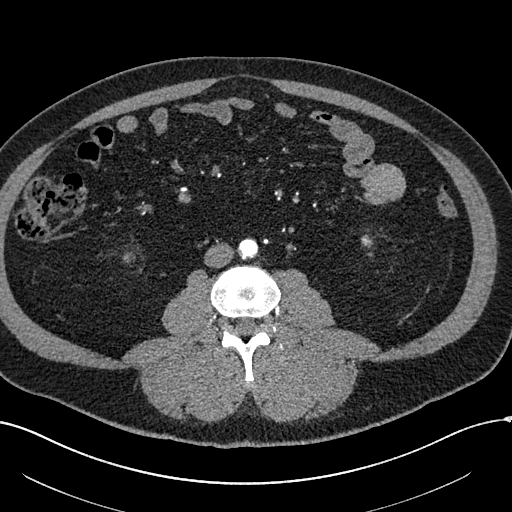
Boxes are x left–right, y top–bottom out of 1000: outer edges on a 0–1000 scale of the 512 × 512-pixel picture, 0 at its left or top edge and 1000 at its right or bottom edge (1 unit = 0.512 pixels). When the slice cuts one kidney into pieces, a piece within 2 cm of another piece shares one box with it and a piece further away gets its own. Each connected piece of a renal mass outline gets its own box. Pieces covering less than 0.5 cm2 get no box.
Slice 206/602 of a contrast-enhanced abdominal CT in the arterial phase, counting up from the lowest; pixel size 0.799 mm, slice thickness 1.00 mm. Two boxes on this slice (two kidney boxes), listed by box centre from the image's left to its right. (1) Box x 240–266, y 492–514 out of 1000: right kidney (outlined area 100 px, about 0.6 cm2). (2) Left kidney at x 705–729, y 457–486 out of 1000 (outlined area 120 px, about 0.8 cm2). This slice carries no renal mass outline.
Acquired at 120 kVp and reconstructed with the I30f kernel.